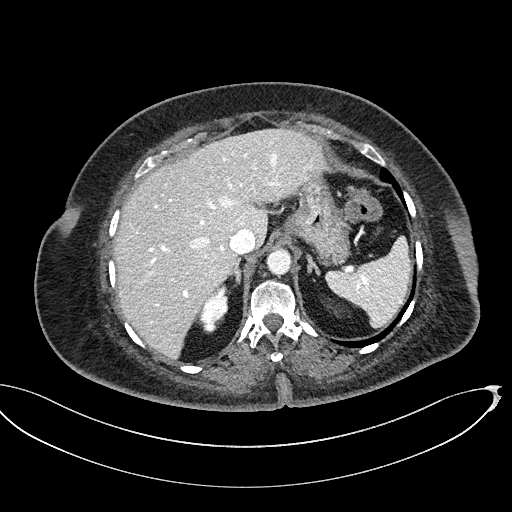
One axial slice (366 of 439, counting up from the lowest) of a contrast-enhanced abdominal CT acquired with 100 kVp, kernel I40f; each pixel is 0.850 mm and the slice is 2.00 mm thick.
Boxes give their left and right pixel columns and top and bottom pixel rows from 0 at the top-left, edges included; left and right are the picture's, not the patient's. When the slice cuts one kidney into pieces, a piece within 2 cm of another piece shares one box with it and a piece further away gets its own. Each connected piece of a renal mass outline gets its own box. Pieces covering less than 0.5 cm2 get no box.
Box with left 197, top 284, right 230, bottom 333: right kidney (outlined area 991 px, about 7.2 cm2). No renal mass is outlined on this slice.